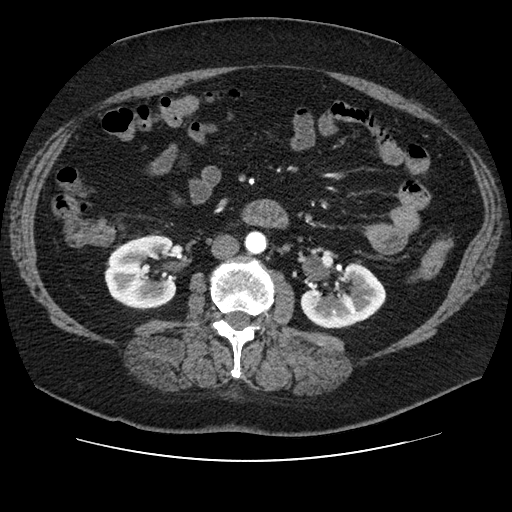
Axial slice 44 of 106 of a contrast-enhanced abdominal CT in the arterial phase (slice 1 is the lowest), 120 kVp, kernel STANDARD; 2.50 mm slice thickness and 0.742 mm pixels.
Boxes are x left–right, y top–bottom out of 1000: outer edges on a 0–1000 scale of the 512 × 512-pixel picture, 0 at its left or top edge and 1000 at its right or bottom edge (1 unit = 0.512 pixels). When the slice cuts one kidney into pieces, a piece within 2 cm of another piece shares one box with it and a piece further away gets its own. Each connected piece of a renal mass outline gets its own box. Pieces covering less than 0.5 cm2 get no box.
Two kidney boxes on this slice; by box centre, from the image's left to its right: (1) Right kidney, box x 203–346, y 457–607 out of 1000 (outlined area 4,262 px, about 23.5 cm2). (2) Box x 586–756, y 512–643 out of 1000: left kidney (outlined area 3,682 px, about 20.3 cm2). This slice carries no renal mass outline.